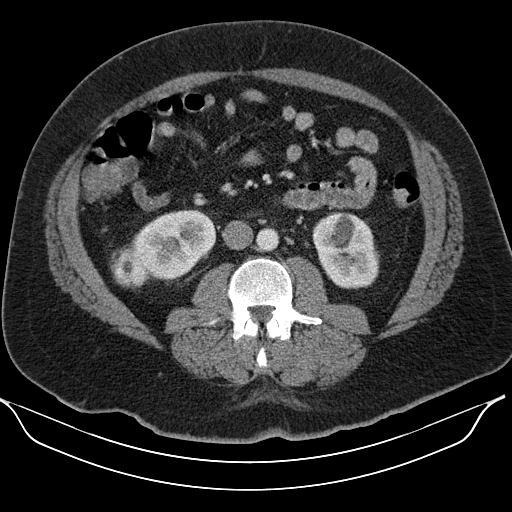
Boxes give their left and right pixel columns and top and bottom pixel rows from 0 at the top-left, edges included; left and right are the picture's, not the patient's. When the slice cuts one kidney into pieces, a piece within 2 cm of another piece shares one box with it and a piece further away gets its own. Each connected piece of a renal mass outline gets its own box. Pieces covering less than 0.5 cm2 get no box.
Arterial-phase contrast-enhanced abdominal CT, axial slice 61 of 110 (counted from the lowest slice); 5.00 mm thick, 0.836 mm per pixel. Three boxes on this slice (two kidney boxes and one renal mass box), listed by box centre from the image's left to its right. (1) Right renal mass in the box with left 110, top 247, right 148, bottom 288 (outlined area 1,228 px, about 8.6 cm2). (2) Right kidney in the box with left 128, top 209, right 216, bottom 281 (outlined area 4,264 px, about 29.8 cm2). (3) Left kidney, the box with left 312, top 212, right 379, bottom 289 (outlined area 3,993 px, about 27.9 cm2).
Scan settings: 130 kVp, B30s reconstruction kernel.